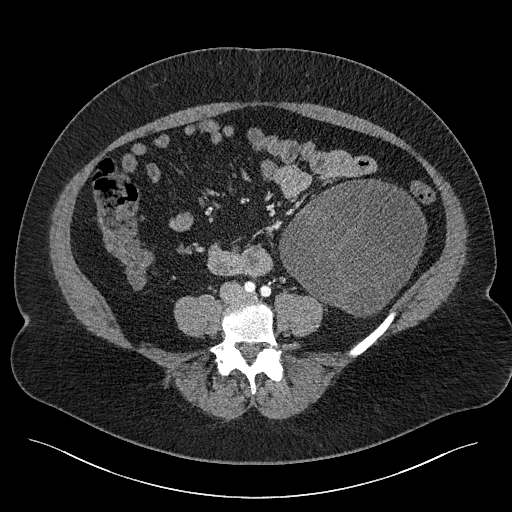
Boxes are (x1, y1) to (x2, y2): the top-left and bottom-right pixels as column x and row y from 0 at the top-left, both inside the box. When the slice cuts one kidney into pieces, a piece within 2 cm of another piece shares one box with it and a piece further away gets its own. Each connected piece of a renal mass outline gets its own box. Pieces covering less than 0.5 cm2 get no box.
Contrast-enhanced abdominal CT, axial slice 62 of 301 (counted from the lowest slice); 2.00 mm thick, 0.859 mm per pixel. Left renal mass, box (279, 179) to (426, 317) (outlined area 14,592 px, about 107.8 cm2); no kidney is outlined on this slice, but the same outlined renal mass comes within 1 cm of the kidney on another slice.
Tube voltage 120 kVp; convolution kernel I40f.